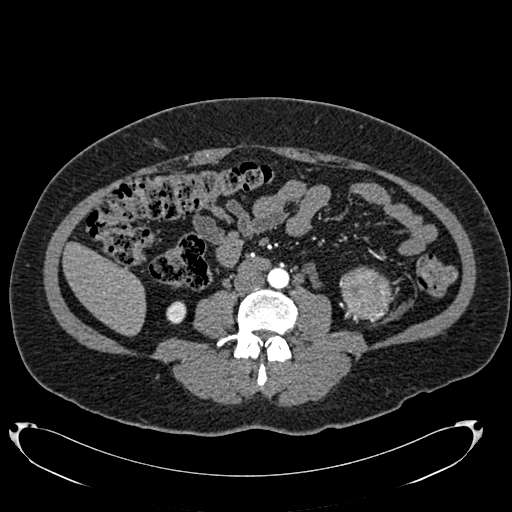
Abdominal CT with intravenous contrast, arterial phase, axial plane, 120 kVp, kernel B20f. Slice 318/634 from the bottom of the scan; thickness 1.00 mm; pixel size 0.838 mm.
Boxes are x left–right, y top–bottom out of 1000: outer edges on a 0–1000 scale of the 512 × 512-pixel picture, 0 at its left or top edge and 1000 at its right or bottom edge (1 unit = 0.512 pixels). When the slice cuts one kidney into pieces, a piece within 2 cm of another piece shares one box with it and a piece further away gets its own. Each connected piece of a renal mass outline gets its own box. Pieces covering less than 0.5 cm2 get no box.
Boxed on this slice (one kidney box and one renal mass box), listed by box centre from the image's left to its right: (1) Right kidney, box x 324–365, y 588–633 out of 1000 (outlined area 375 px, about 2.6 cm2). (2) Left renal mass, box x 662–768, y 520–625 out of 1000 (outlined area 2,168 px, about 15.2 cm2); on this slice it lies more than 1 cm from any kidney outline, but the same outlined renal mass comes within 1 cm of the kidney on another slice.